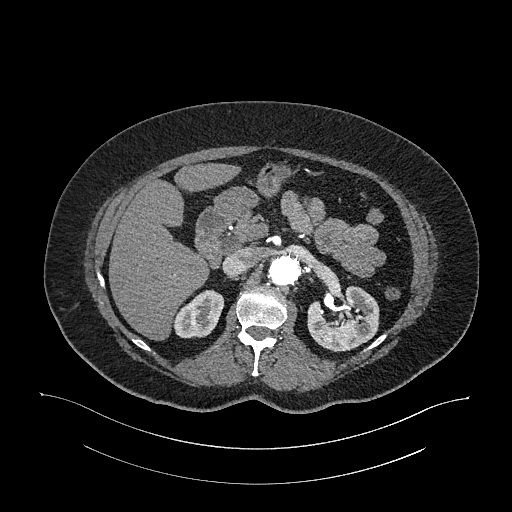
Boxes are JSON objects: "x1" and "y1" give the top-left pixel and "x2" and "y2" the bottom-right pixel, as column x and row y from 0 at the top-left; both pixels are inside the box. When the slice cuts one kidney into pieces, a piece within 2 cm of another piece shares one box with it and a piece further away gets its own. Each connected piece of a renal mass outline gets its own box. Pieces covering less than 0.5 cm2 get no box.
Arterial-phase contrast-enhanced abdominal CT, axial slice 708 of 987 (counted from the lowest slice); 1.00 mm thick, 0.977 mm per pixel. Two kidney boxes on this slice; by box centre, from the image's left to its right: (1) Right kidney at {"x1": 173, "y1": 289, "x2": 223, "y2": 338} (outlined area 1,757 px, about 16.8 cm2). (2) Box {"x1": 307, "y1": 285, "x2": 379, "y2": 351}: left kidney (outlined area 3,541 px, about 33.8 cm2). No renal mass outline on this slice.
Acquired at 120 kVp and reconstructed with the I26f kernel.